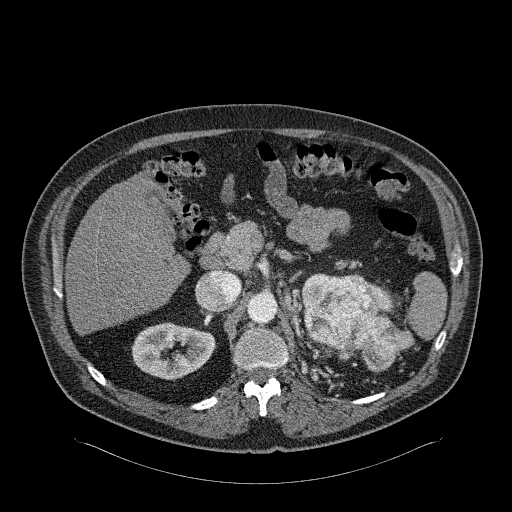
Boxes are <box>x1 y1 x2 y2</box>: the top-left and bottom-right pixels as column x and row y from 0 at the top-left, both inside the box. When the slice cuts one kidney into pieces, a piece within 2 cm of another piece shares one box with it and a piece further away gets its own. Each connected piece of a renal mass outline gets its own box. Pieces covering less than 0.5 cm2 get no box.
Arterial-phase contrast-enhanced abdominal CT, axial slice 167 of 326 (counted from the lowest slice); 2.00 mm thick, 0.963 mm per pixel. Three boxes on this slice (two kidney boxes and one renal mass box), listed by box centre from the image's left to its right. (1) Right kidney at <box>131 322 216 380</box> (outlined area 3,512 px, about 32.6 cm2). (2) At <box>301 273 393 313</box>: left kidney (outlined area 860 px, about 8.0 cm2). (3) Left renal mass at <box>303 274 414 372</box> (outlined area 6,419 px, about 59.5 cm2).
Acquired at 120 kVp and reconstructed with the B31f kernel.